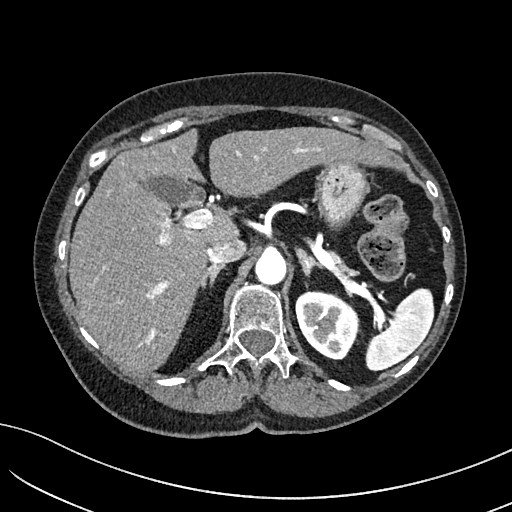
Axial slice 115 of 234 of a contrast-enhanced abdominal CT in the arterial phase (slice 1 is the lowest), 100 kVp, kernel I40f; 2.00 mm slice thickness and 0.699 mm pixels.
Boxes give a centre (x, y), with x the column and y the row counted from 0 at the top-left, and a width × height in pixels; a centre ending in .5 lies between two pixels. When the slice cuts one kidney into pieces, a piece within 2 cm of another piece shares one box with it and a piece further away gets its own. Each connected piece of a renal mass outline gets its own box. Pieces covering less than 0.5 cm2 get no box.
Left kidney in a box with centre (327.5, 325.5), 66 × 70 pixels (outlined area 3,317 px, about 16.2 cm2). This slice carries no renal mass outline.